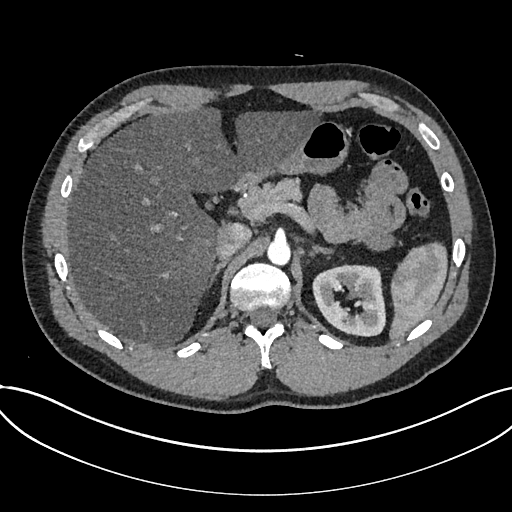
Axial slice 522 of 735 of a contrast-enhanced abdominal CT in the arterial phase (slice 1 is the lowest), 120 kVp, kernel I30f; 1.00 mm slice thickness and 0.789 mm pixels.
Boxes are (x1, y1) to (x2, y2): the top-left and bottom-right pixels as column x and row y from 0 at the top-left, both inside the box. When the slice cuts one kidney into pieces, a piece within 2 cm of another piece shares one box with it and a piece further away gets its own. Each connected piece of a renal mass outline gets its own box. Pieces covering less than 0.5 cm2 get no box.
Kidney, box (312, 264) to (385, 336) (outlined area 4,063 px, about 25.3 cm2). No renal mass is outlined on this slice.